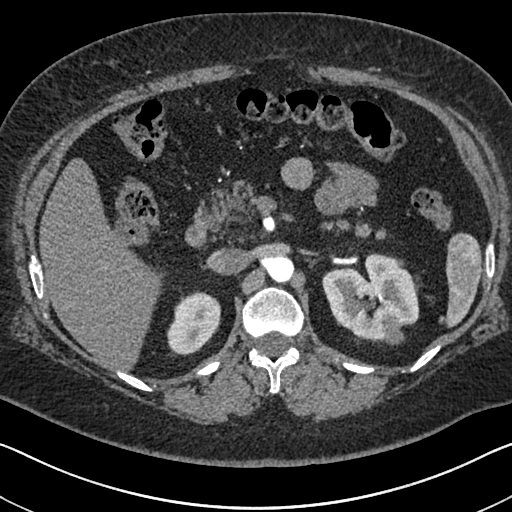
One axial slice (453 of 591, counting up from the lowest) of an arterial-phase abdominal CT acquired with 140 kVp, kernel I30f; each pixel is 0.703 mm and the slice is 1.00 mm thick.
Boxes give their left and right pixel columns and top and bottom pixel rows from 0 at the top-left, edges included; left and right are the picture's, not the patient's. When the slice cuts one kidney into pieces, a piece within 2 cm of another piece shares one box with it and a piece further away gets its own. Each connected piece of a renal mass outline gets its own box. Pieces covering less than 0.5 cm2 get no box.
Two kidney boxes and one renal mass box on this slice; by box centre, from the image's left to its right: (1) Right kidney, the box with left 166, top 291, right 220, bottom 355 (outlined area 2,409 px, about 11.9 cm2). (2) Box with left 322, top 253, right 419, bottom 340: left kidney (outlined area 5,722 px, about 28.3 cm2). (3) Box with left 381, top 314, right 404, bottom 345: left renal mass (outlined area 543 px, about 2.7 cm2).